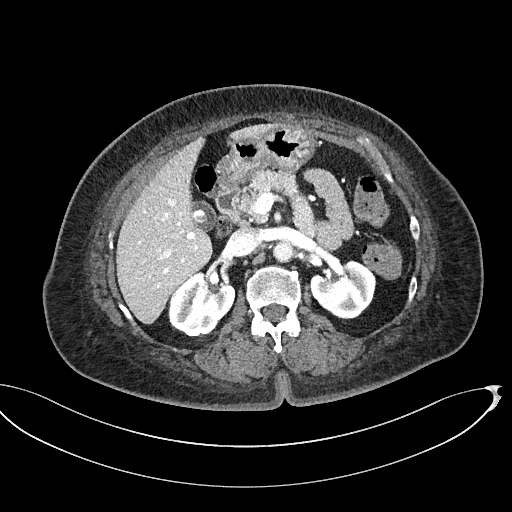
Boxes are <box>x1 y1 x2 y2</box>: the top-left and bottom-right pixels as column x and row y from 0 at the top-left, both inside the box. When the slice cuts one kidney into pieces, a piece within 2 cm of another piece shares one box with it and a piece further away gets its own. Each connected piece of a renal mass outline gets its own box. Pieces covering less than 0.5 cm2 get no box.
Slice 316/439 of a contrast-enhanced abdominal CT, counting up from the lowest; pixel size 0.850 mm, slice thickness 2.00 mm. Three boxes on this slice (two kidney boxes and one renal mass box), listed by box centre from the image's left to its right. (1) At <box>170 287 184 303</box>: right renal mass (outlined area 167 px, about 1.2 cm2). (2) Right kidney: <box>169 271 234 337</box> (outlined area 2,920 px, about 21.1 cm2). (3) Left kidney at <box>310 259 376 319</box> (outlined area 2,854 px, about 20.6 cm2).
Acquired at 100 kVp and reconstructed with the I40f kernel.